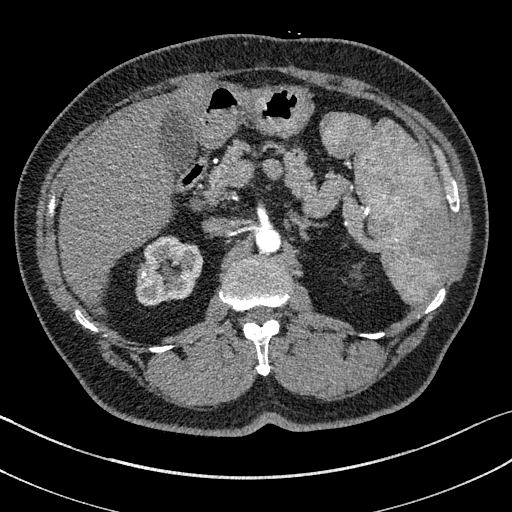
Axial slice 103 of 195 of a contrast-enhanced abdominal CT in the arterial phase (slice 1 is the lowest), 100 kVp, kernel I31f; 1.50 mm slice thickness and 0.707 mm pixels.
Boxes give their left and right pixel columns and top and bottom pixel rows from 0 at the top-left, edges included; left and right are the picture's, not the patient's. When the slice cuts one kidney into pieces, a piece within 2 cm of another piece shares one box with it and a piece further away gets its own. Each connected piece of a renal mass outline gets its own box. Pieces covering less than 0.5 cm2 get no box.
Right kidney, the box with left 136, top 236, right 202, bottom 305 (outlined area 3,460 px, about 17.3 cm2). This slice carries no renal mass outline.